Abdominal CT with intravenous contrast, arterial phase, axial plane, 120 kVp, kernel STANDARD. Slice 91/106 from the bottom of the scan; thickness 2.50 mm; pixel size 0.742 mm.
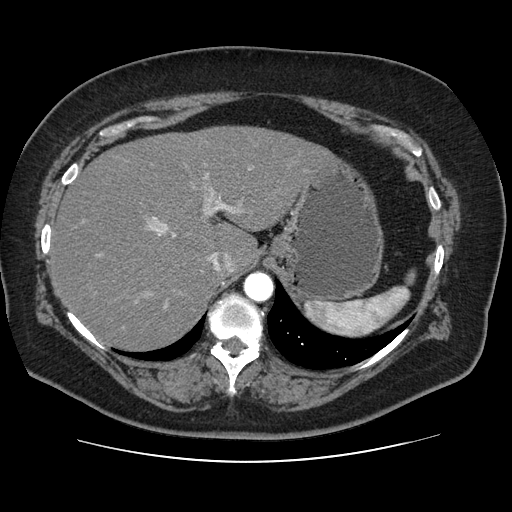
No kidney and no renal mass is outlined on this slice; the outlines in this scan cover only the kidneys and the renal masses, so nothing is said about any other organ.